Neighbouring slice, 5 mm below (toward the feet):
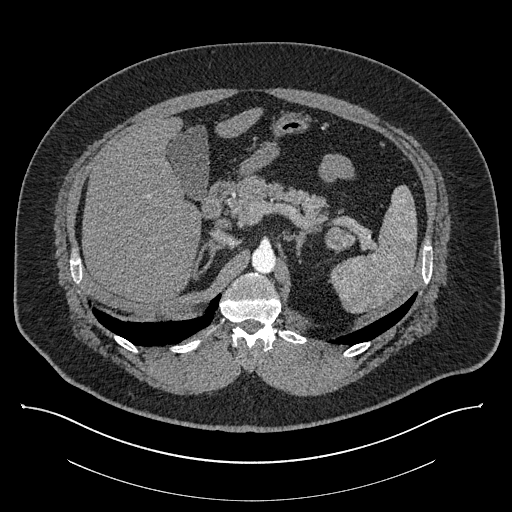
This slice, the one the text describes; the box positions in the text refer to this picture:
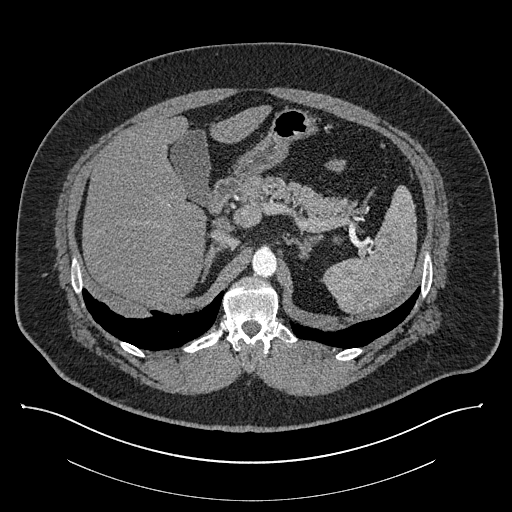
One axial slice (589 of 787, counting up from the lowest) of a contrast-enhanced abdominal CT acquired with 140 kVp, kernel I30f; each pixel is 0.910 mm and the slice is 1.00 mm thick.
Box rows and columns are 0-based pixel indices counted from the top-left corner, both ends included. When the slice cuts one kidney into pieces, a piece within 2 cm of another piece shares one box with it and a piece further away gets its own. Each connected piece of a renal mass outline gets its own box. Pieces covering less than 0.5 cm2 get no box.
Left renal mass at rows 236–244, columns 332–342 (outlined area 65 px, about 0.5 cm2); no kidney is outlined on this slice, but the same outlined renal mass comes within 1 cm of the kidney on another slice. This slice is near the end of the left renal mass toward the head, so the slice 5 mm below it is shown as well; the boxes refer to this slice only.